Arterial-phase contrast-enhanced abdominal CT, axial slice 423 of 532 (counted from the lowest slice); tube voltage 120 kVp, convolution kernel B30f; slices 1.00 mm thick, 0.713 mm per pixel.
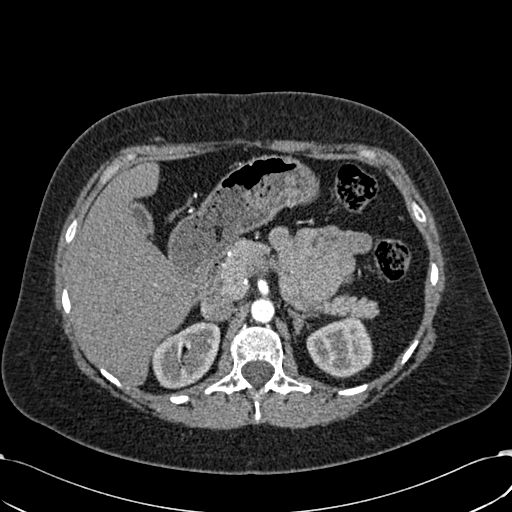
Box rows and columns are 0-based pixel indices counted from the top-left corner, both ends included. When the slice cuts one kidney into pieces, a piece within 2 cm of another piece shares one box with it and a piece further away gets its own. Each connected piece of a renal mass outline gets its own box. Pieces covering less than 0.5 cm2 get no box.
Two kidney boxes on this slice; by box centre, from the image's left to its right: (1) Right kidney at rows 321–388, columns 150–220 (outlined area 3,364 px, about 17.1 cm2). (2) Left kidney, box rows 317–378, columns 306–373 (outlined area 3,055 px, about 15.5 cm2). This slice carries no renal mass outline.